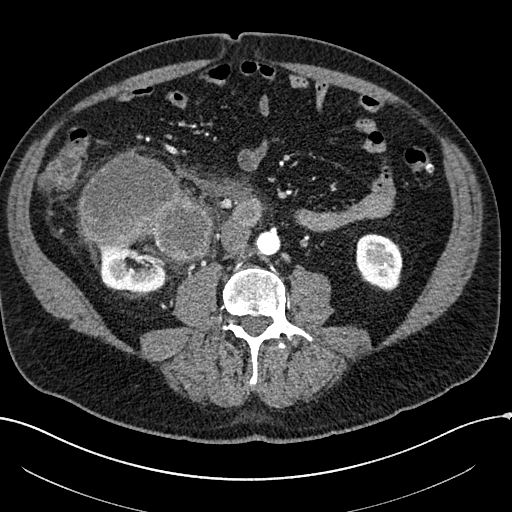
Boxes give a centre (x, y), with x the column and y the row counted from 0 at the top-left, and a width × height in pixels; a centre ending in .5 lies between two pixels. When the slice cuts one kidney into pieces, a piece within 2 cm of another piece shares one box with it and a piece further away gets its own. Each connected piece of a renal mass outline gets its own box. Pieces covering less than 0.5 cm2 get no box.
Arterial-phase contrast-enhanced abdominal CT, axial slice 58 of 304 (counted from the lowest slice); 2.00 mm thick, 0.809 mm per pixel. Three boxes on this slice (two kidney boxes and one renal mass box), listed by box centre from the image's left to its right. (1) Box centre (134.5, 261.5), 76 × 64 pixels: right kidney (outlined area 3,024 px, about 19.8 cm2). (2) Box centre (145.5, 206.5), 134 × 114 pixels: right renal mass (outlined area 9,887 px, about 64.6 cm2). (3) Left kidney in a box with centre (379, 262), 47 × 59 pixels (outlined area 2,164 px, about 14.1 cm2).
Scan settings: 100 kVp, I30f reconstruction kernel.